Contrast-enhanced abdominal CT, axial slice 41 of 92 (counted from the lowest slice); tube voltage 100 kVp, convolution kernel I41f; slices 3.00 mm thick, 0.684 mm per pixel.
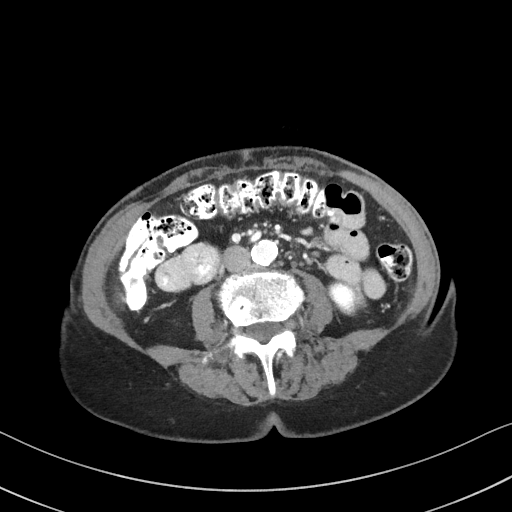
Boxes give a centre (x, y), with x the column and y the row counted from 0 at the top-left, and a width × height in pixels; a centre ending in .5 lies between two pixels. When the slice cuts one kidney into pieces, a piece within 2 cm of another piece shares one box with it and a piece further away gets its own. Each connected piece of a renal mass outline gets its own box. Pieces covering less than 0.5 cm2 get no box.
Left kidney in a box with centre (345, 299.5), 37 × 34 pixels (outlined area 846 px, about 4.0 cm2). No renal mass outline on this slice.